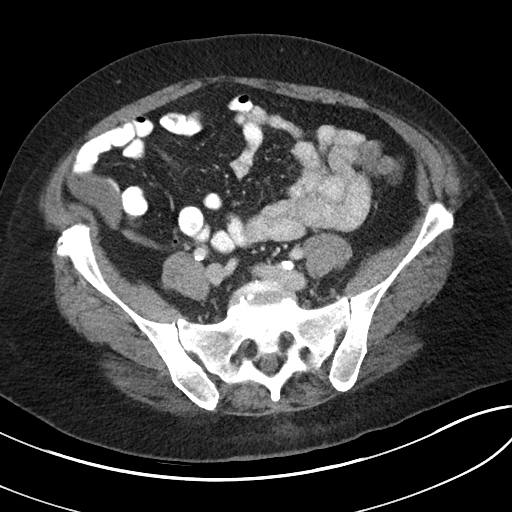
Contrast-enhanced abdominal CT, axial slice 35 of 80 (counted from the lowest slice); tube voltage 100 kVp, convolution kernel I40f; slices 5.00 mm thick, 0.703 mm per pixel.
This slice carries no outline: it lies beyond the outlined kidneys and beyond every outlined renal mass. Other organs are not outlined in this scan.